Abdominal CT with intravenous contrast, arterial phase, axial plane, 100 kVp, kernel I40f. Slice 73/102 from the bottom of the scan; thickness 5.00 mm; pixel size 0.781 mm.
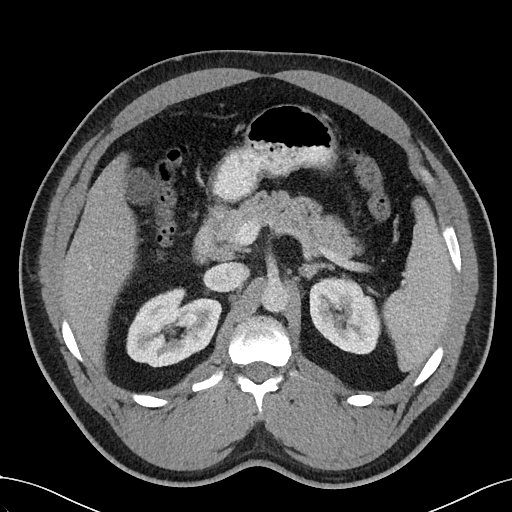
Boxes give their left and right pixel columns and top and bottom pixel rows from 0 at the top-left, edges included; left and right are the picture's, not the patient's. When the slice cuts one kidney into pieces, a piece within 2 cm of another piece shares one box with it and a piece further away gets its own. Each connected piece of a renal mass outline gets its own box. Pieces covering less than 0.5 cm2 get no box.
Two kidney boxes on this slice; by box centre, from the image's left to its right: (1) Right kidney, the box with left 126, top 287, right 222, bottom 367 (outlined area 5,409 px, about 33.0 cm2). (2) Left kidney in the box with left 309, top 274, right 382, bottom 354 (outlined area 4,303 px, about 26.3 cm2). No renal mass outline on this slice.